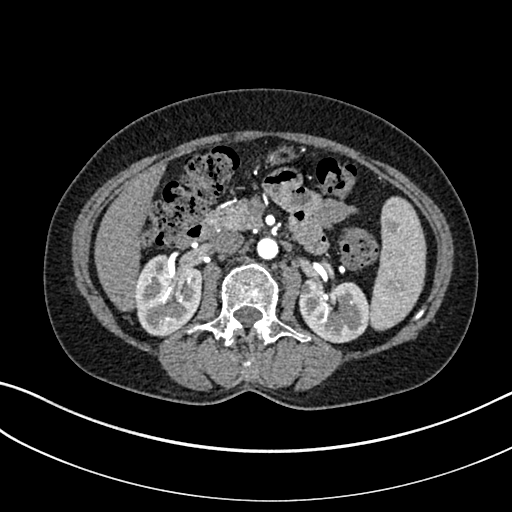
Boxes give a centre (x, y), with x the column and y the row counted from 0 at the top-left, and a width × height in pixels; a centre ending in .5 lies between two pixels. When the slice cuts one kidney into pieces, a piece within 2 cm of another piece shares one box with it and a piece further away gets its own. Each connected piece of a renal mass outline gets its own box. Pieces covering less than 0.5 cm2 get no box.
Slice 167/325 of a contrast-enhanced abdominal CT in the arterial phase, counting up from the lowest; pixel size 0.703 mm, slice thickness 1.00 mm. Boxed on this slice (two kidney boxes), listed by box centre from the image's left to its right: (1) Right kidney, box centre (168.5, 295.5), 68 × 84 pixels (outlined area 4,360 px, about 21.6 cm2). (2) Left kidney in a box with centre (333.5, 310.5), 72 × 66 pixels (outlined area 3,647 px, about 18.0 cm2). No renal mass outline on this slice.
Scan settings: 100 kVp, I30f reconstruction kernel.